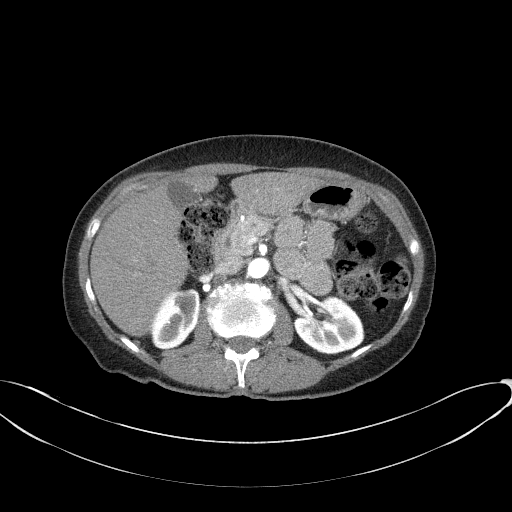
Abdominal CT with intravenous contrast, arterial phase, axial plane, 100 kVp, kernel B41f. Slice 38/77 from the bottom of the scan; thickness 3.00 mm; pixel size 0.809 mm.
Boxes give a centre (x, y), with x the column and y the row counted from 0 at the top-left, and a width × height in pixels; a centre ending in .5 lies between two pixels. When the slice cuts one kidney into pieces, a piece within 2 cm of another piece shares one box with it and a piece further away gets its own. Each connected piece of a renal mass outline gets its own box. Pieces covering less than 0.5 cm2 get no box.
Boxed on this slice (two kidney boxes), listed by box centre from the image's left to its right: (1) Box centre (174.5, 319), 50 × 63 pixels: right kidney (outlined area 2,229 px, about 14.6 cm2). (2) Left kidney, box centre (328.5, 324.5), 72 × 60 pixels (outlined area 3,049 px, about 19.9 cm2). This slice carries no renal mass outline.